One axial slice (139 of 302, counting up from the lowest) of an arterial-phase abdominal CT acquired with 100 kVp, kernel I30f; each pixel is 0.875 mm and the slice is 5.00 mm thick.
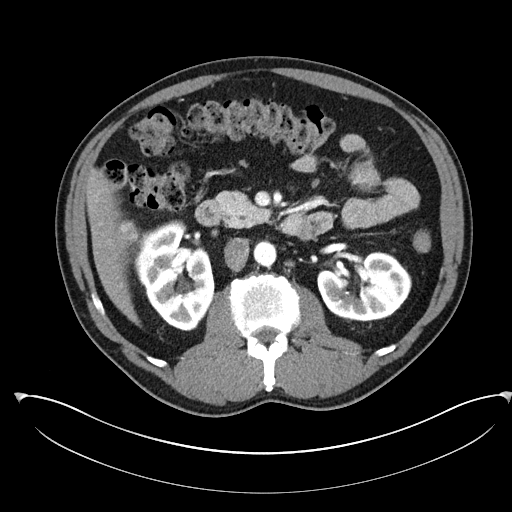
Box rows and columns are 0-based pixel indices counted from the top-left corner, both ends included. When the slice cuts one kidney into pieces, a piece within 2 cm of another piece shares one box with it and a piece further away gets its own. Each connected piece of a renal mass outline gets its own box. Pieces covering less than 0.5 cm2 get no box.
Two kidney boxes on this slice; by box centre, from the image's left to its right: (1) Right kidney at rows 222–330, columns 125–214 (outlined area 6,509 px, about 49.8 cm2). (2) Left kidney, box rows 251–321, columns 317–411 (outlined area 4,926 px, about 37.7 cm2).